One axial slice (395 of 512, counting up from the lowest) of an arterial-phase abdominal CT acquired with 120 kVp, kernel B30f; each pixel is 0.771 mm and the slice is 1.00 mm thick.
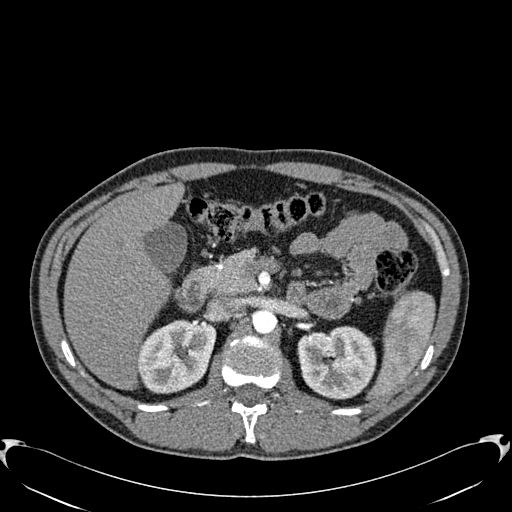
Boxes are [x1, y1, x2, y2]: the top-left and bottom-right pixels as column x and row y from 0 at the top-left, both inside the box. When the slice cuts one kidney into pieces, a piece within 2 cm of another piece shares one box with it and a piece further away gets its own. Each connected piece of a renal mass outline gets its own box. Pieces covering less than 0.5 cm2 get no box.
Boxed on this slice (two kidney boxes), listed by box centre from the image's left to its right: (1) Right kidney, box [137, 319, 216, 393] (outlined area 4,516 px, about 26.9 cm2). (2) Box [297, 326, 376, 399]: left kidney (outlined area 4,675 px, about 27.8 cm2). No renal mass is outlined on this slice.